Abdominal CT with intravenous contrast, axial plane, 140 kVp, kernel I41f. Slice 22/69 from the bottom of the scan; thickness 3.00 mm; pixel size 0.736 mm.
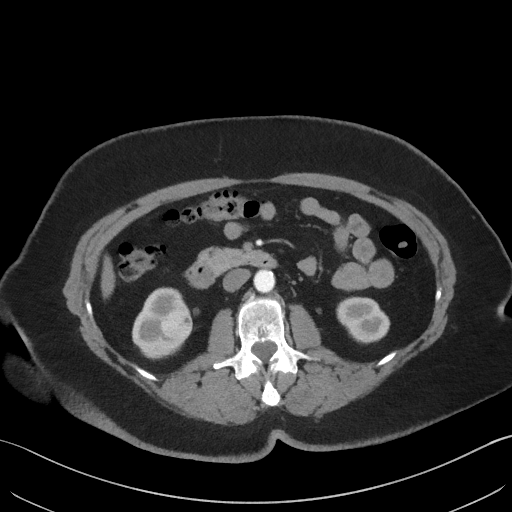
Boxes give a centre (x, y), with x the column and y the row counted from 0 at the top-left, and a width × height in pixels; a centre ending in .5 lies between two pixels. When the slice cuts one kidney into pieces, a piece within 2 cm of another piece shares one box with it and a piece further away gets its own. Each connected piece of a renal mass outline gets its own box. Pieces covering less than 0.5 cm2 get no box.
Two kidney boxes and one renal mass box on this slice; by box centre, from the image's left to its right: (1) Right kidney in a box with centre (162, 323), 61 × 73 pixels (outlined area 2,515 px, about 13.6 cm2). (2) Right renal mass in a box with centre (176, 324), 31 × 31 pixels (outlined area 744 px, about 4.0 cm2). (3) Left kidney in a box with centre (363, 320), 55 × 47 pixels (outlined area 1,882 px, about 10.2 cm2).